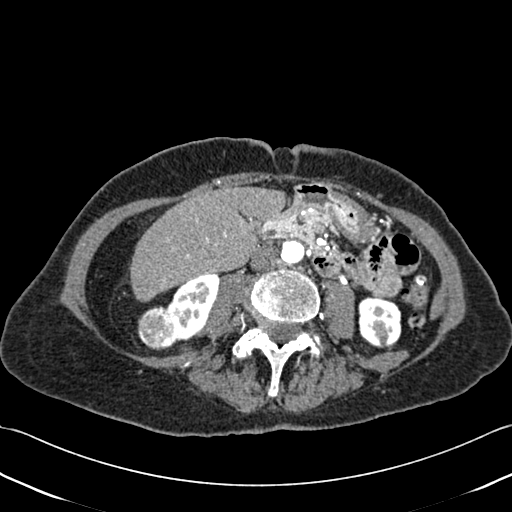
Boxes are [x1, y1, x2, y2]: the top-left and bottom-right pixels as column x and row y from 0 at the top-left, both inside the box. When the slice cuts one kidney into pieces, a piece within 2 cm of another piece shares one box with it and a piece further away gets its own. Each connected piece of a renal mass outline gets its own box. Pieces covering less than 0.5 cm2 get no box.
Slice 181/433 of a contrast-enhanced abdominal CT, counting up from the lowest; pixel size 0.672 mm, slice thickness 1.00 mm. Two kidney boxes and one renal mass box on this slice; by box centre, from the image's left to its right: (1) Right renal mass at [137, 306, 179, 350] (outlined area 1,460 px, about 6.6 cm2). (2) Right kidney at [165, 273, 219, 341] (outlined area 2,185 px, about 9.9 cm2). (3) Left kidney, box [358, 296, 401, 348] (outlined area 1,884 px, about 8.5 cm2).
Tube voltage 120 kVp; convolution kernel B30f.